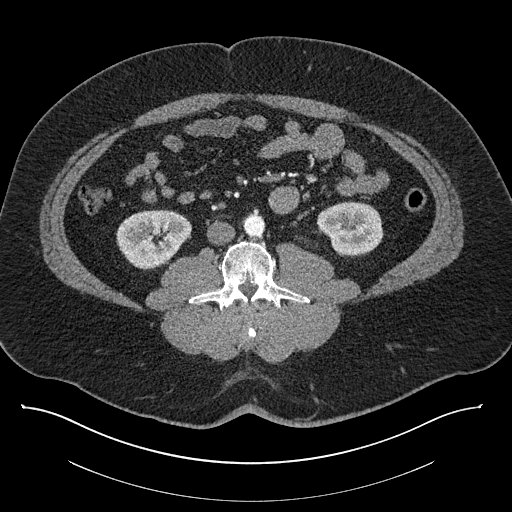
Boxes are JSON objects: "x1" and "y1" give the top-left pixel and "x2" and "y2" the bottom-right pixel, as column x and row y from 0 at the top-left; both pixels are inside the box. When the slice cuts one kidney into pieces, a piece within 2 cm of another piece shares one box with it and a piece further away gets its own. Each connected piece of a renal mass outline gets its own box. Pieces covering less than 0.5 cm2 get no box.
This is axial slice 395 of 787 (slice 1 is the lowest) of an abdominal CT with contrast; each pixel is 0.910 mm and the slice is 1.00 mm thick. Boxed on this slice (two kidney boxes), listed by box centre from the image's left to its right: (1) Right kidney at {"x1": 116, "y1": 209, "x2": 191, "y2": 269} (outlined area 3,369 px, about 27.9 cm2). (2) Box {"x1": 316, "y1": 201, "x2": 383, "y2": 256}: left kidney (outlined area 2,801 px, about 23.2 cm2). No renal mass outline on this slice.
Acquired at 140 kVp and reconstructed with the I30f kernel.